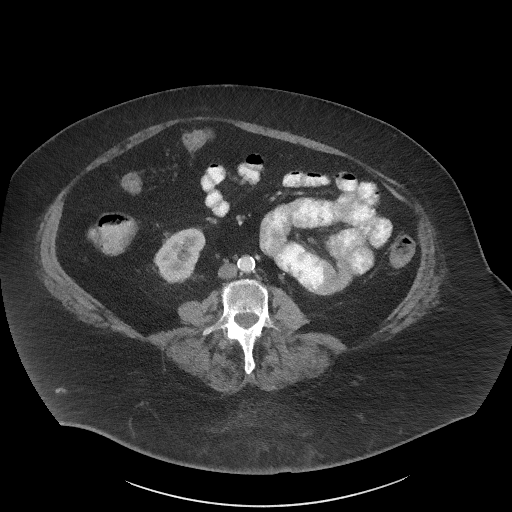
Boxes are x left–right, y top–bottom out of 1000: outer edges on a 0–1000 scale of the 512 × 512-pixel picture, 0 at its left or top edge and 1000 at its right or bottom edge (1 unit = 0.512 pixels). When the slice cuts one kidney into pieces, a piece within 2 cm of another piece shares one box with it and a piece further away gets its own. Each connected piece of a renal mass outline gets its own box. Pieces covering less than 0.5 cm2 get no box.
Slice 12/61 of a contrast-enhanced abdominal CT in the arterial phase, counting up from the lowest; pixel size 0.947 mm, slice thickness 3.00 mm. Box x 299–402, y 443–555 out of 1000: right kidney (outlined area 2,041 px, about 18.3 cm2). This slice carries no renal mass outline.
Tube voltage 140 kVp; convolution kernel I41f.